Contrast-enhanced abdominal CT, axial slice 58 of 84 (counted from the lowest slice); tube voltage 140 kVp, convolution kernel STANDARD; slices 5.00 mm thick, 0.717 mm per pixel.
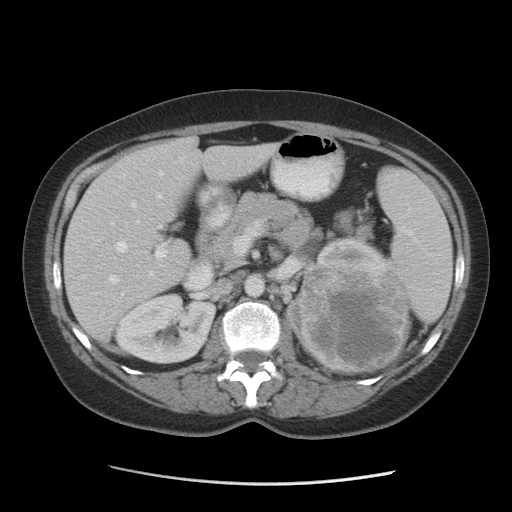
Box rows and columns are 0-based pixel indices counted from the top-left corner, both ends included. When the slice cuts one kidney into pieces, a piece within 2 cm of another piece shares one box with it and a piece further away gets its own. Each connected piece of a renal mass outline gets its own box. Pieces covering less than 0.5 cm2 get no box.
Three kidney boxes and one renal mass box on this slice; by box centre, from the image's left to its right: (1) Right kidney, box rows 292–363, columns 113–216 (outlined area 5,480 px, about 28.2 cm2). (2) Box rows 294–346, columns 285–301: left kidney (one of two boxed parts) (outlined area 455 px, about 2.3 cm2). (3) Left kidney (one of two boxed parts) at rows 237–262, columns 313–387 (outlined area 1,147 px, about 5.9 cm2). (4) Left renal mass at rows 258–374, columns 297–412 (outlined area 11,188 px, about 57.5 cm2).